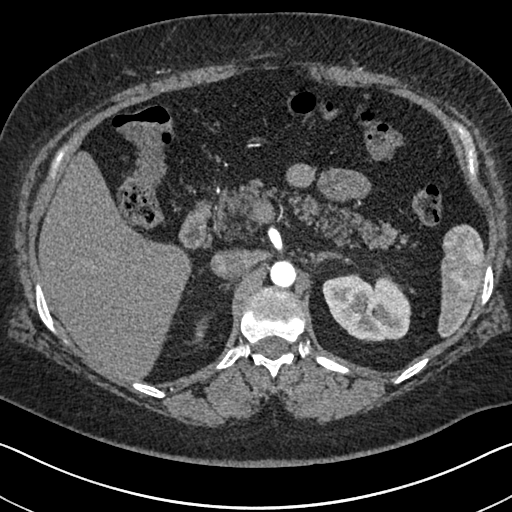
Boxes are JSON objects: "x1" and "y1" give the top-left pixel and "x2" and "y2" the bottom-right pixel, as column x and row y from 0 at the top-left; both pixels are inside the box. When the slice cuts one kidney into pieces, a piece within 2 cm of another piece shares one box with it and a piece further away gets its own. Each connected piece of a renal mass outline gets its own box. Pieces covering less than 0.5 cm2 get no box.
Slice 470/591 of a contrast-enhanced abdominal CT in the arterial phase, counting up from the lowest; pixel size 0.703 mm, slice thickness 1.00 mm. Boxed on this slice (two kidney boxes), listed by box centre from the image's left to its right: (1) Right kidney at {"x1": 193, "y1": 317, "x2": 207, "y2": 342} (outlined area 210 px, about 1.0 cm2). (2) Left kidney at {"x1": 322, "y1": 273, "x2": 411, "y2": 341} (outlined area 4,661 px, about 23.0 cm2). No renal mass outline on this slice.
Scan settings: 140 kVp, I30f reconstruction kernel.